One axial slice (56 of 90, counting up from the lowest) of a contrast-enhanced abdominal CT acquired with 100 kVp, kernel I40f; each pixel is 0.684 mm and the slice is 5.00 mm thick.
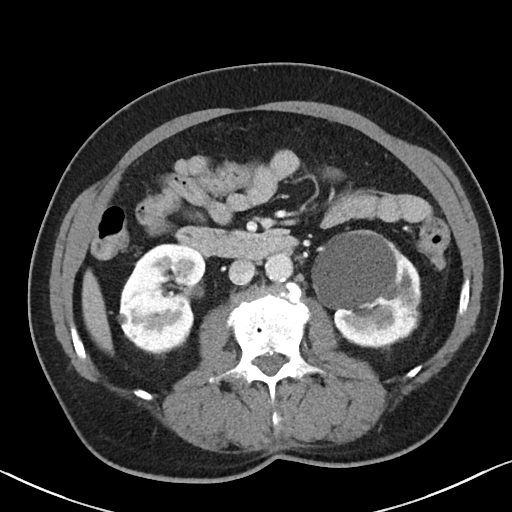
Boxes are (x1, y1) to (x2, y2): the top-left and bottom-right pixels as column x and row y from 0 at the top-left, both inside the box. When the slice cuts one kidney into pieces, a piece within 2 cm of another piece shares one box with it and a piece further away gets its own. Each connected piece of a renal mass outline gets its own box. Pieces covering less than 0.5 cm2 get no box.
Two boxes on this slice (two kidney boxes), listed by box centre from the image's left to its right. (1) Box (117, 243) to (205, 353): right kidney (outlined area 7,267 px, about 34.0 cm2). (2) Left kidney, box (312, 229) to (421, 348) (outlined area 9,944 px, about 46.5 cm2). No renal mass is outlined on this slice.